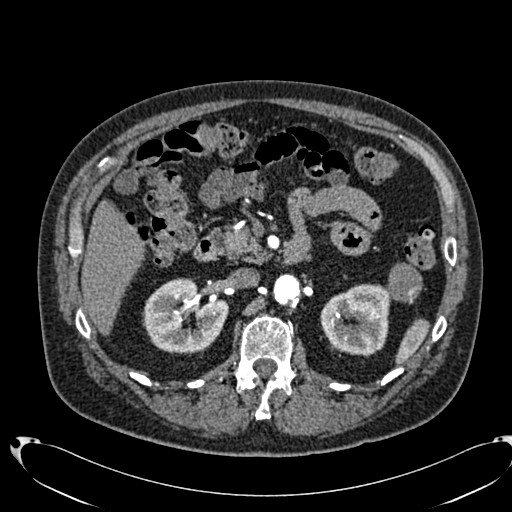
Arterial-phase contrast-enhanced abdominal CT, axial slice 446 of 553 (counted from the lowest slice); tube voltage 120 kVp, convolution kernel B20f; slices 1.00 mm thick, 0.773 mm per pixel.
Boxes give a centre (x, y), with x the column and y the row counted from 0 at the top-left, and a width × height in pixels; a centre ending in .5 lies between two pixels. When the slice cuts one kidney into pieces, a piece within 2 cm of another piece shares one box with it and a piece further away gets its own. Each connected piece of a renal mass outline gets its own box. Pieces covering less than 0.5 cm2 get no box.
Boxed on this slice (two kidney boxes and one renal mass box), listed by box centre from the image's left to its right: (1) Right kidney in a box with centre (185, 316), 87 × 77 pixels (outlined area 4,776 px, about 28.6 cm2). (2) Box centre (355.5, 319), 72 × 73 pixels: left kidney (outlined area 3,942 px, about 23.6 cm2). (3) Left renal mass in a box with centre (405, 282.5), 35 × 42 pixels (outlined area 1,081 px, about 6.5 cm2).